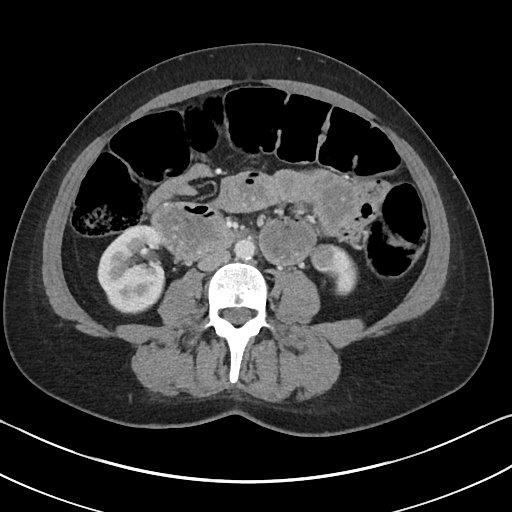
Abdominal CT with intravenous contrast, arterial phase, axial plane, 100 kVp, kernel I40f. Slice 54/90 from the bottom of the scan; thickness 5.00 mm; pixel size 0.703 mm.
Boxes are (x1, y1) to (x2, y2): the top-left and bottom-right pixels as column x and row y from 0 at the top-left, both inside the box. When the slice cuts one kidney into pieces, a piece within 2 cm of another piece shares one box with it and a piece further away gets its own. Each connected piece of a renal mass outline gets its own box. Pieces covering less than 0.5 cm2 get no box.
Two kidney boxes and one renal mass box on this slice; by box centre, from the image's left to its right: (1) Right kidney from (97, 224) to (165, 314) (outlined area 4,793 px, about 23.7 cm2). (2) Left renal mass, box (310, 244) to (337, 270) (outlined area 590 px, about 2.9 cm2). (3) Left kidney, box (319, 244) to (357, 295) (outlined area 967 px, about 4.8 cm2).